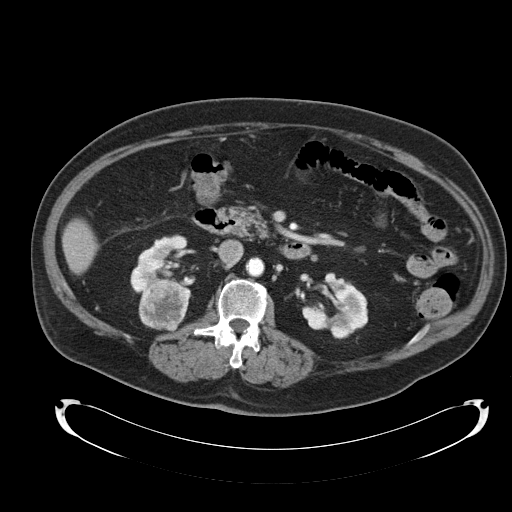
One axial slice (62 of 92, counting up from the lowest) of a contrast-enhanced abdominal CT acquired with 120 kVp, kernel B30f; each pixel is 0.918 mm and the slice is 5.00 mm thick.
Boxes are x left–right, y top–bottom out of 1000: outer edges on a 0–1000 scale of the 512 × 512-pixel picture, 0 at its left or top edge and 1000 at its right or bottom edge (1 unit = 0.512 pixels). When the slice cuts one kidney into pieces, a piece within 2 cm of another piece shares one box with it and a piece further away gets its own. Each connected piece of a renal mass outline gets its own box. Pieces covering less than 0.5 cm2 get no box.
Three boxes on this slice (two kidney boxes and one renal mass box), listed by box centre from the image's left to its right. (1) Right kidney, box x 254–375, y 457–586 out of 1000 (outlined area 2,186 px, about 18.4 cm2). (2) Right renal mass at x 270–369, y 541–646 out of 1000 (outlined area 2,105 px, about 17.7 cm2). (3) Left kidney at x 592–719, y 533–662 out of 1000 (outlined area 2,632 px, about 22.2 cm2).